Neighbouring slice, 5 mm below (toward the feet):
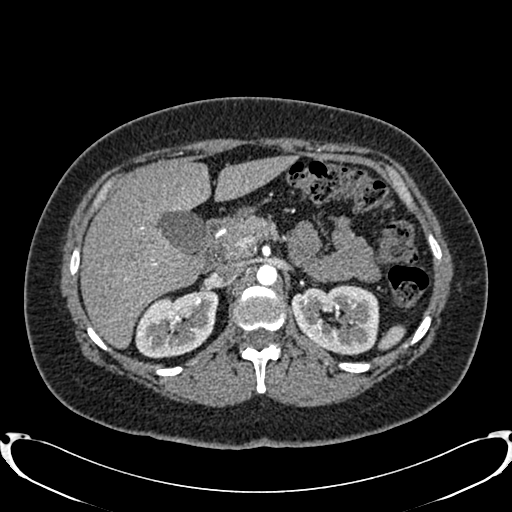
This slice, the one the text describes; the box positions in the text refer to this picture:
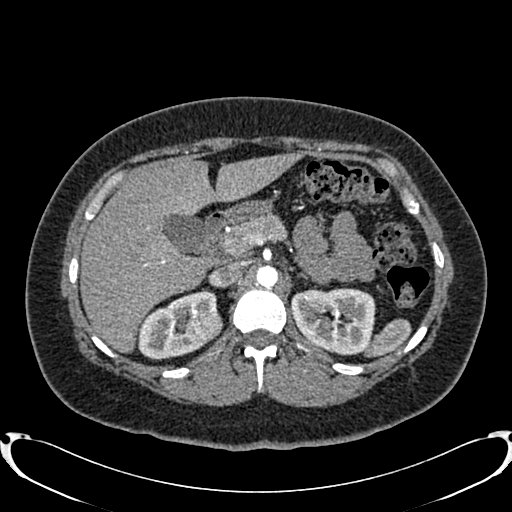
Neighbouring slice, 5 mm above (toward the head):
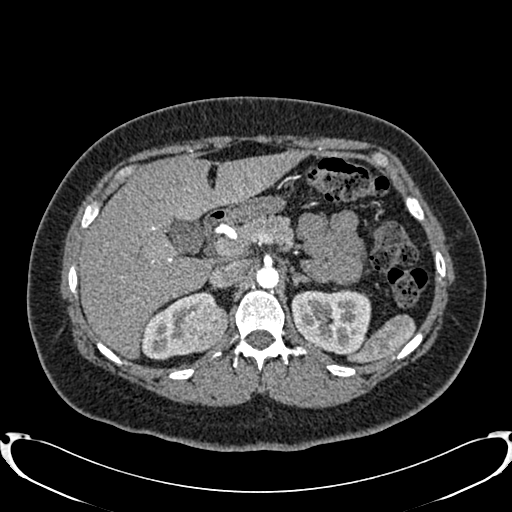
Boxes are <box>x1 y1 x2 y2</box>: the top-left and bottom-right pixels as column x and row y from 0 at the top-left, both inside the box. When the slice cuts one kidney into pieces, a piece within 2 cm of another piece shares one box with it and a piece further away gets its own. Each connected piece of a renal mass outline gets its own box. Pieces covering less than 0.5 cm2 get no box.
Slice 545/719 of a contrast-enhanced abdominal CT in the arterial phase, counting up from the lowest; pixel size 0.766 mm, slice thickness 1.00 mm. Two kidney boxes and one renal mass box on this slice; by box centre, from the image's left to its right: (1) Right kidney at <box>136 289 217 360</box> (outlined area 3,269 px, about 19.2 cm2). (2) At <box>186 310 223 343</box>: right renal mass (outlined area 934 px, about 5.5 cm2). (3) Left kidney: <box>290 288 375 355</box> (outlined area 4,581 px, about 26.9 cm2). This slice lies near the end of the right renal mass toward the feet; the slices 5 mm below and 5 mm above it are shown too, and the boxes mark positions on this slice only.
Scan settings: 120 kVp, B20f reconstruction kernel.